One axial slice (17 of 76, counting up from the lowest) of a contrast-enhanced abdominal CT acquired with 120 kVp, kernel B; each pixel is 0.684 mm and the slice is 3.00 mm thick.
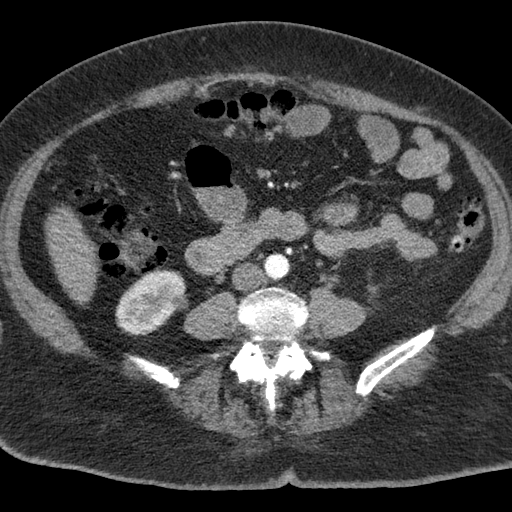
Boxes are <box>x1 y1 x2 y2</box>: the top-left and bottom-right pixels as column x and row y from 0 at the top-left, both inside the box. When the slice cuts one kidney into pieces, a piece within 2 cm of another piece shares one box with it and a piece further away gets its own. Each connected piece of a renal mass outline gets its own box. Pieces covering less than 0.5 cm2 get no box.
At <box>115 269 188 335</box>: right kidney (outlined area 3,435 px, about 16.1 cm2). No renal mass outline on this slice.